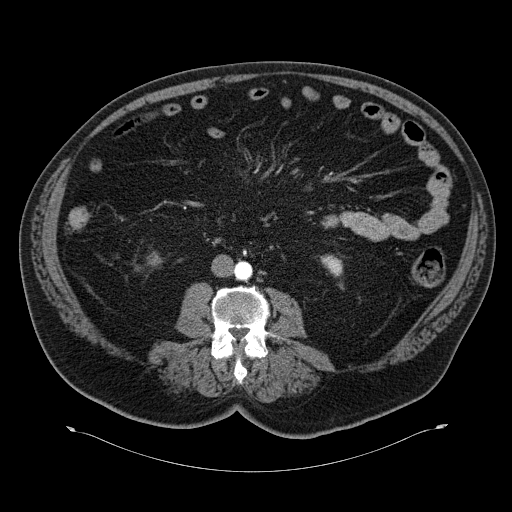
Abdominal CT with intravenous contrast, arterial phase, axial plane, 120 kVp, kernel B30f. Slice 23/70 from the bottom of the scan; thickness 5.00 mm; pixel size 0.977 mm.
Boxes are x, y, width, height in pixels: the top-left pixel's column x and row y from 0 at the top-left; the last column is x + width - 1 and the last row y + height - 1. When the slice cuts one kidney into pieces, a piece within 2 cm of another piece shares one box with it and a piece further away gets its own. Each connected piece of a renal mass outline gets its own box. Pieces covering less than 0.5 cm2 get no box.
Boxed on this slice (two kidney boxes), listed by box centre from the image's left to its right: (1) Right kidney at x 147, y 252, width 16, height 14 (outlined area 149 px, about 1.4 cm2). (2) Left kidney, box x 320, y 254, width 23, height 23 (outlined area 351 px, about 3.3 cm2). No renal mass is outlined on this slice.